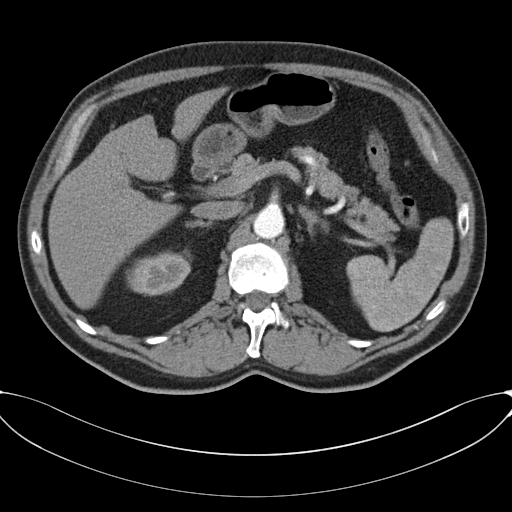
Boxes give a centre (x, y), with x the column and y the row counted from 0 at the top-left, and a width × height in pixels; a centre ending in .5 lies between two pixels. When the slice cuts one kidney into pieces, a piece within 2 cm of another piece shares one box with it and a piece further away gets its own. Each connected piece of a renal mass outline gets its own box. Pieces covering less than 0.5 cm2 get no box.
Slice 47/80 of a contrast-enhanced abdominal CT, counting up from the lowest; pixel size 0.822 mm, slice thickness 3.00 mm. Box centre (158.5, 273.5), 64 × 42 pixels: right kidney (outlined area 2,092 px, about 14.1 cm2). No renal mass outline on this slice.
Tube voltage 120 kVp; convolution kernel B30f.